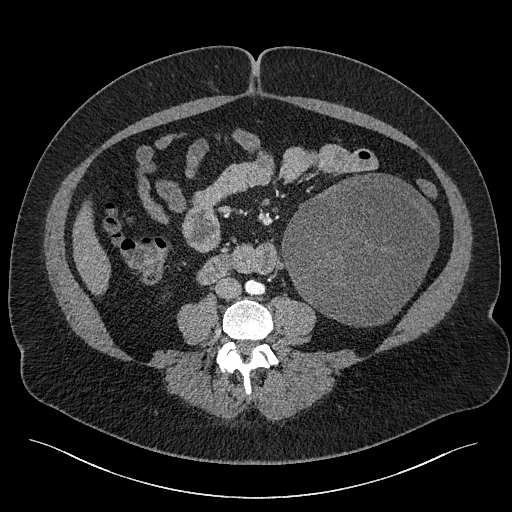
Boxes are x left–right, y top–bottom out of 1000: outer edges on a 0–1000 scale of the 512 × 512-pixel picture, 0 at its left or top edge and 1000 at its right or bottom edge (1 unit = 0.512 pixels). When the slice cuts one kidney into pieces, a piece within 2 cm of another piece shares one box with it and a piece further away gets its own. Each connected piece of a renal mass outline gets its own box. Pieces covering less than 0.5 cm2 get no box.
Slice 79/301 of a contrast-enhanced abdominal CT, counting up from the lowest; pixel size 0.859 mm, slice thickness 2.00 mm. Left renal mass, box x 549–859, y 338–641 out of 1000 (outlined area 17,988 px, about 132.8 cm2); no kidney outline appears on this slice, but the same outlined renal mass comes within 1 cm of the kidney on another slice.
Tube voltage 120 kVp; convolution kernel I40f.